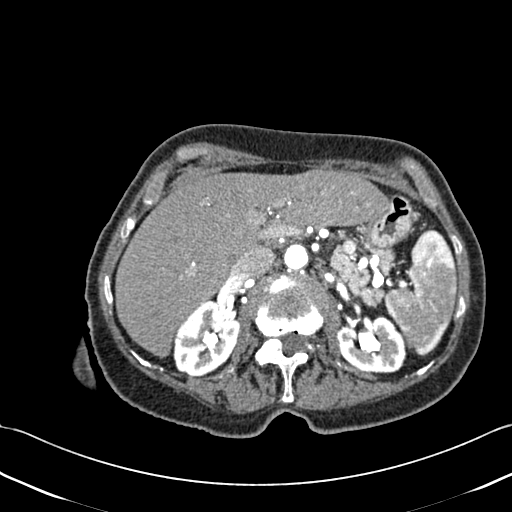
Axial slice 295 of 433 of a contrast-enhanced abdominal CT (slice 1 is the lowest), 120 kVp, kernel B30f; 1.00 mm slice thickness and 0.672 mm pixels.
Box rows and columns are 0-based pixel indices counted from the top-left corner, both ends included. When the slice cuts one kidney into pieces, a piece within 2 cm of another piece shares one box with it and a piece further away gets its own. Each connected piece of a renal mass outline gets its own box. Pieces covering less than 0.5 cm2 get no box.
Two boxes on this slice (two kidney boxes), listed by box centre from the image's left to its right. (1) Right kidney at rows 299–377, columns 172–239 (outlined area 3,736 px, about 16.9 cm2). (2) Left kidney, box rows 315–373, columns 336–406 (outlined area 3,129 px, about 14.1 cm2). This slice carries no renal mass outline.